Axial slice 69 of 107 of a contrast-enhanced abdominal CT (slice 1 is the lowest), 120 kVp, kernel B31f; 5.00 mm slice thickness and 0.730 mm pixels.
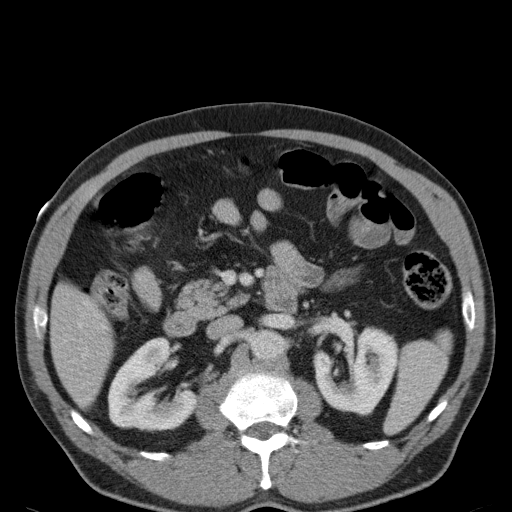
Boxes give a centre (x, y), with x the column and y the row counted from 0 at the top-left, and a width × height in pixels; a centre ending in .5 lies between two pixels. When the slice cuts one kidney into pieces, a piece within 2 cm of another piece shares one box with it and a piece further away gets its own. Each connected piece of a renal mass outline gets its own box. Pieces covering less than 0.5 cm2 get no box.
Boxed on this slice (two kidney boxes), listed by box centre from the image's left to its right: (1) Right kidney, box centre (151, 385), 89 × 95 pixels (outlined area 5,383 px, about 28.7 cm2). (2) Left kidney, box centre (355, 371), 85 × 91 pixels (outlined area 5,176 px, about 27.6 cm2). No renal mass is outlined on this slice.